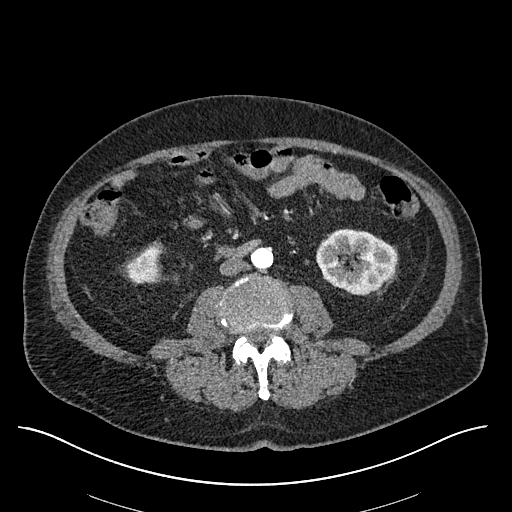
One axial slice (253 of 670, counting up from the lowest) of an arterial-phase abdominal CT acquired with 120 kVp, kernel I30f; each pixel is 0.861 mm and the slice is 1.00 mm thick.
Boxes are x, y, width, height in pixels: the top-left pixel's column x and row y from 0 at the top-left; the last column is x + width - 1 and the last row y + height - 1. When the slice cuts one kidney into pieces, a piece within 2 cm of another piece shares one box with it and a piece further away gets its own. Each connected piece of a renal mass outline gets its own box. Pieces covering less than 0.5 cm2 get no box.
Two kidney boxes on this slice; by box centre, from the image's left to its right: (1) Box x 125, y 243, width 37, height 41: right kidney (outlined area 1,062 px, about 7.9 cm2). (2) Left kidney, box x 315, y 228, width 83, height 68 (outlined area 4,073 px, about 30.2 cm2). This slice carries no renal mass outline.